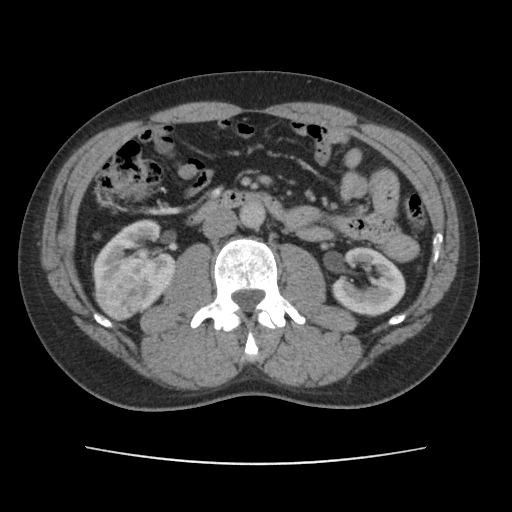
Axial slice 62 of 101 of a contrast-enhanced abdominal CT in the arterial phase (slice 1 is the lowest), 120 kVp, kernel FC14; 5.00 mm slice thickness and 0.755 mm pixels.
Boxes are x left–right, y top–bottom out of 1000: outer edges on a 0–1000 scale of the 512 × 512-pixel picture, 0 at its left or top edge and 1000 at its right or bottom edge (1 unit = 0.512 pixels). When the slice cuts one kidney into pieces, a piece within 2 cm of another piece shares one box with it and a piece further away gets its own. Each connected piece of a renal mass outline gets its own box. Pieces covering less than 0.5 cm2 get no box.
Three boxes on this slice (two kidney boxes and one renal mass box), listed by box centre from the image's left to its right. (1) Box x 186–293, y 510–629 out of 1000: right renal mass (outlined area 2,525 px, about 14.4 cm2). (2) Box x 182–342, y 428–611 out of 1000: right kidney (outlined area 3,459 px, about 19.7 cm2). (3) Left kidney, box x 648–795, y 480–619 out of 1000 (outlined area 3,646 px, about 20.8 cm2).